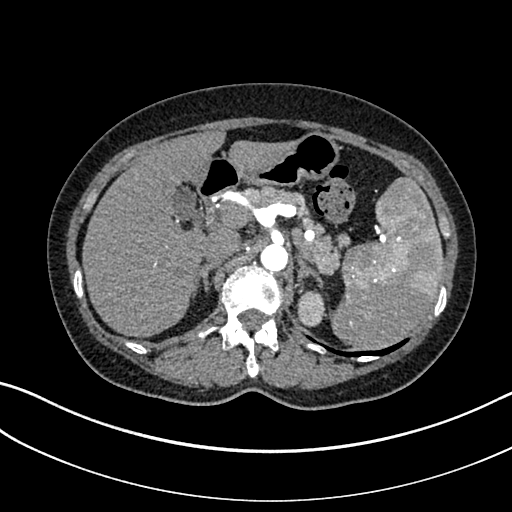
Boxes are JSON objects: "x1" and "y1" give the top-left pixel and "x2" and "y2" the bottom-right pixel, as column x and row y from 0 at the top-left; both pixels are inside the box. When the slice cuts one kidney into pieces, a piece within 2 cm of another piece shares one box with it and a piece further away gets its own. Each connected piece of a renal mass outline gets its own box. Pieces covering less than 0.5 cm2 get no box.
Arterial-phase contrast-enhanced abdominal CT, axial slice 248 of 325 (counted from the lowest slice); 1.00 mm thick, 0.703 mm per pixel. Left kidney, box {"x1": 296, "y1": 289, "x2": 327, "y2": 327} (outlined area 876 px, about 4.3 cm2). No renal mass is outlined on this slice.
Acquired at 100 kVp and reconstructed with the I30f kernel.